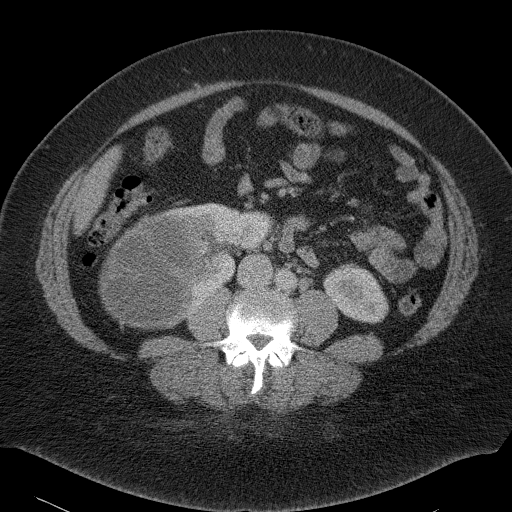
Abdominal CT with intravenous contrast, axial plane, 120 kVp, kernel B41f. Slice 51/90 from the bottom of the scan; thickness 5.00 mm; pixel size 0.781 mm.
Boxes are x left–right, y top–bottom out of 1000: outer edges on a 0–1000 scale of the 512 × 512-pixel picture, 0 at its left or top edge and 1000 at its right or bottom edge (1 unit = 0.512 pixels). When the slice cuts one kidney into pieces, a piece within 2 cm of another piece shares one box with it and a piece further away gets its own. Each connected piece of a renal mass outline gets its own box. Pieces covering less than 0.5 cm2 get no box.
Two kidney boxes and one renal mass box on this slice; by box centre, from the image's left to its right: (1) Right renal mass, box x 193–418, y 408–645 out of 1000 (outlined area 10,186 px, about 62.2 cm2). (2) Right kidney at x 336–533, y 395–605 out of 1000 (outlined area 4,388 px, about 26.8 cm2). (3) Left kidney, box x 631–760, y 514–633 out of 1000 (outlined area 2,747 px, about 16.8 cm2).